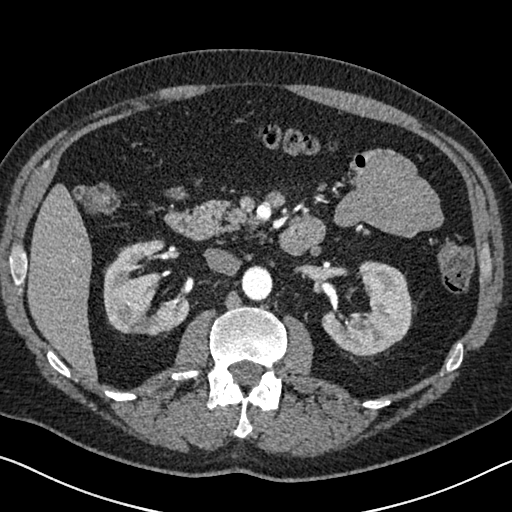
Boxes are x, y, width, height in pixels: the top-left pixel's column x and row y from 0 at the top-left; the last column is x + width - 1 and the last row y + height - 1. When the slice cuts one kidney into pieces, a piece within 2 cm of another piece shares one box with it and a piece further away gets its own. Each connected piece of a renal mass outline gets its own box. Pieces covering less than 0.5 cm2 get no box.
Arterial-phase contrast-enhanced abdominal CT, axial slice 402 of 626 (counted from the lowest slice); 1.00 mm thick, 0.703 mm per pixel. Two kidney boxes on this slice; by box centre, from the image's left to its right: (1) Right kidney at x 103, y 239, width 87, height 97 (outlined area 5,440 px, about 26.9 cm2). (2) Left kidney at x 321, y 261, width 94, height 96 (outlined area 5,327 px, about 26.3 cm2). This slice carries no renal mass outline.
Acquired at 120 kVp and reconstructed with the I30f kernel.